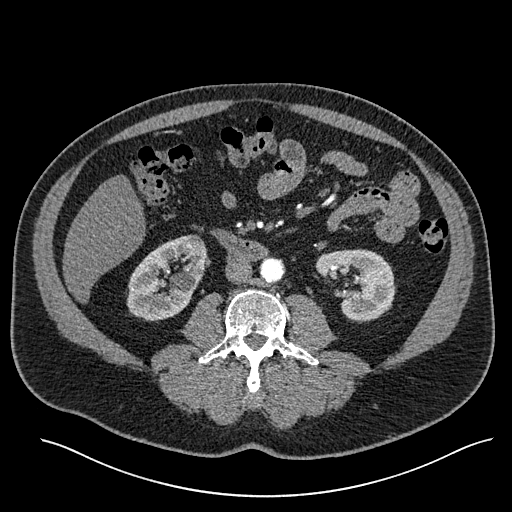
Arterial-phase contrast-enhanced abdominal CT, axial slice 266 of 527 (counted from the lowest slice); tube voltage 120 kVp, convolution kernel I30f; slices 1.00 mm thick, 0.859 mm per pixel.
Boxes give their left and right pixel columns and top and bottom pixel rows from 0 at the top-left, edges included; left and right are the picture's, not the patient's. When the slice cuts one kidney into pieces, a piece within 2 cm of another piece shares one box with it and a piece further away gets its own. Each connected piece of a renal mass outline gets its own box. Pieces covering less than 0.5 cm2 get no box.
Boxed on this slice (two kidney boxes), listed by box centre from the image's left to its right: (1) Box with left 126, top 234, right 206, bottom 321: right kidney (outlined area 4,712 px, about 34.8 cm2). (2) Left kidney, the box with left 316, top 249, right 395, bottom 323 (outlined area 3,988 px, about 29.5 cm2). No renal mass outline on this slice.